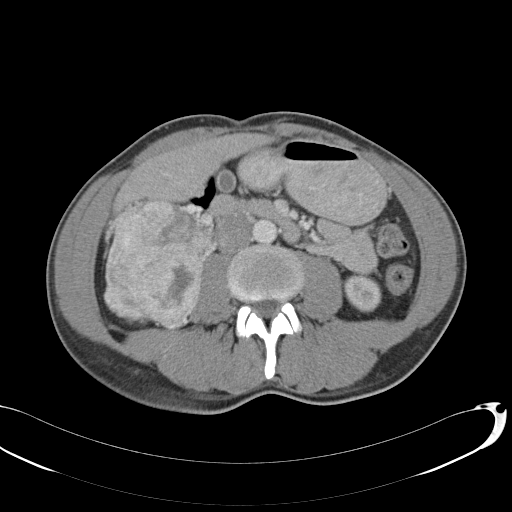
Axial slice 57 of 146 of a contrast-enhanced abdominal CT (slice 1 is the lowest), 120 kVp, kernel B31f; 5.00 mm slice thickness and 0.742 mm pixels.
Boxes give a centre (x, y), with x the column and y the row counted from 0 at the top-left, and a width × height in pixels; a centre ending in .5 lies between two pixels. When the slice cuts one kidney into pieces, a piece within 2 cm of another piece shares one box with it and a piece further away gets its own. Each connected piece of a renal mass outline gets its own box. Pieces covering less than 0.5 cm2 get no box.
Two kidney boxes and one renal mass box on this slice; by box centre, from the image's left to its right: (1) Right kidney, box centre (126, 305.5), 47 × 40 pixels (outlined area 969 px, about 5.3 cm2). (2) Box centre (153.5, 264), 100 × 127 pixels: right renal mass (outlined area 9,427 px, about 51.9 cm2). (3) Left kidney in a box with centre (362, 293), 39 × 39 pixels (outlined area 1,153 px, about 6.4 cm2).